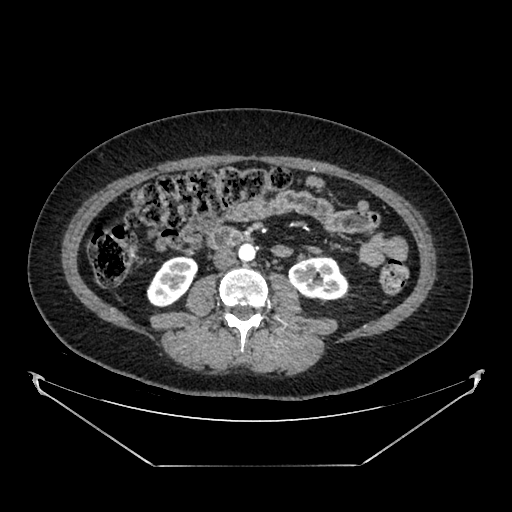
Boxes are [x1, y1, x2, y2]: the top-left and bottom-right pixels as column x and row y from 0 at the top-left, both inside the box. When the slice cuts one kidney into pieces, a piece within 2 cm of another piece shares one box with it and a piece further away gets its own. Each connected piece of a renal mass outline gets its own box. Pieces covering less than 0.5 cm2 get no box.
Slice 199/383 of a contrast-enhanced abdominal CT in the arterial phase, counting up from the lowest; pixel size 0.898 mm, slice thickness 1.25 mm. Two kidney boxes on this slice; by box centre, from the image's left to its right: (1) Right kidney, box [146, 256, 196, 307] (outlined area 1,807 px, about 14.6 cm2). (2) Left kidney, box [288, 256, 348, 299] (outlined area 2,025 px, about 16.3 cm2). This slice carries no renal mass outline.
Scan settings: 100 kVp, SOFT reconstruction kernel.